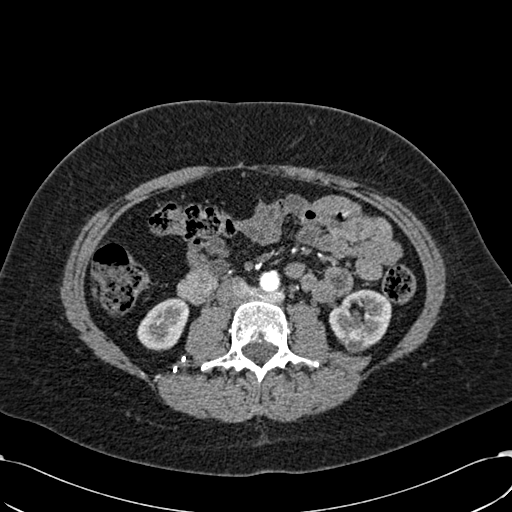
Abdominal CT with intravenous contrast, arterial phase, axial plane, 120 kVp, kernel B30f. Slice 290/532 from the bottom of the scan; thickness 1.00 mm; pixel size 0.713 mm.
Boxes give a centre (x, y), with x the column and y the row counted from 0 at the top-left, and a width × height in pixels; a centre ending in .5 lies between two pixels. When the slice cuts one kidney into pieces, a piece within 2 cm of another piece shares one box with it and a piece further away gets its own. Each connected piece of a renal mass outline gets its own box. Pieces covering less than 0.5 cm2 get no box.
Two kidney boxes and one renal mass box on this slice; by box centre, from the image's left to its right: (1) Box centre (163, 323.5), 53 × 54 pixels: right kidney (outlined area 1,995 px, about 10.1 cm2). (2) Box centre (355.5, 345.5), 24 × 16 pixels: left renal mass (outlined area 280 px, about 1.4 cm2). (3) Left kidney, box centre (360, 318), 63 × 59 pixels (outlined area 2,594 px, about 13.2 cm2).